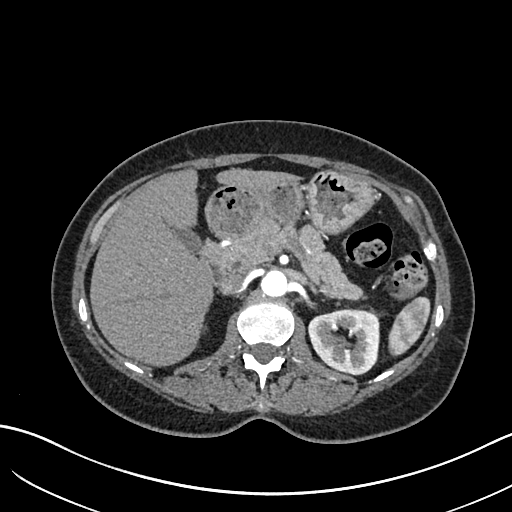
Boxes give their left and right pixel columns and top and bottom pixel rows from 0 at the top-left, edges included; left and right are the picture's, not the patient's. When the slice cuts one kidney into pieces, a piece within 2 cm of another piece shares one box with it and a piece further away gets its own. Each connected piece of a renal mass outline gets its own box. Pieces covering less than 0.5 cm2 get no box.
Slice 426/683 of a contrast-enhanced abdominal CT in the arterial phase, counting up from the lowest; pixel size 0.738 mm, slice thickness 1.00 mm. Left kidney, the box with left 308, top 308, right 379, bottom 375 (outlined area 3,755 px, about 20.5 cm2). This slice carries no renal mass outline.
Acquired at 120 kVp and reconstructed with the I30f kernel.